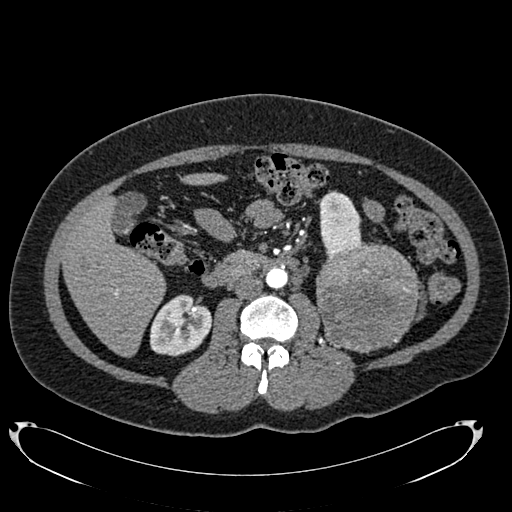
One axial slice (389 of 634, counting up from the lowest) of an arterial-phase abdominal CT acquired with 120 kVp, kernel B20f; each pixel is 0.838 mm and the slice is 1.00 mm thick.
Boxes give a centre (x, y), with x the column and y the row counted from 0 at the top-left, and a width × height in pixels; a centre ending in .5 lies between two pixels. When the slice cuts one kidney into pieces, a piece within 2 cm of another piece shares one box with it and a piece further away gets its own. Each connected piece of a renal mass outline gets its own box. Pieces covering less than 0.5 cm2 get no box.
Boxed on this slice (two kidney boxes and one renal mass box), listed by box centre from the image's left to its right: (1) Right kidney in a box with centre (181, 325), 63 × 63 pixels (outlined area 2,904 px, about 20.4 cm2). (2) Box centre (341, 223.5), 49 × 68 pixels: left kidney (outlined area 2,135 px, about 15.0 cm2). (3) Left renal mass in a box with centre (367.5, 298), 104 × 111 pixels (outlined area 9,099 px, about 63.9 cm2).